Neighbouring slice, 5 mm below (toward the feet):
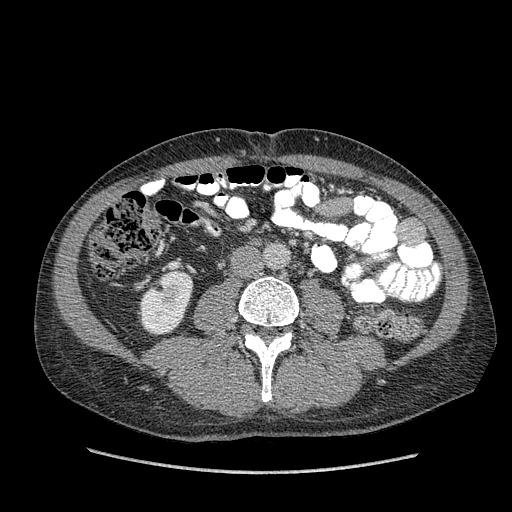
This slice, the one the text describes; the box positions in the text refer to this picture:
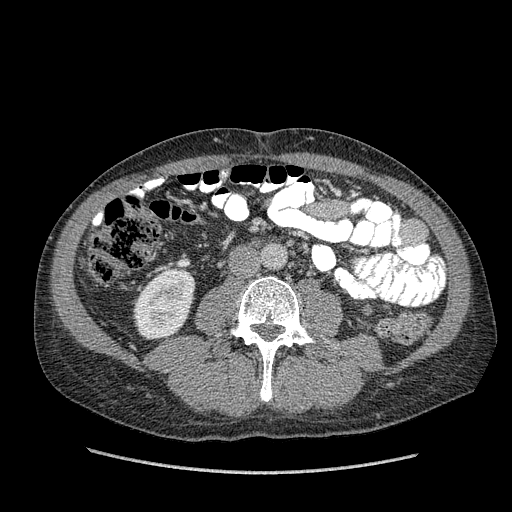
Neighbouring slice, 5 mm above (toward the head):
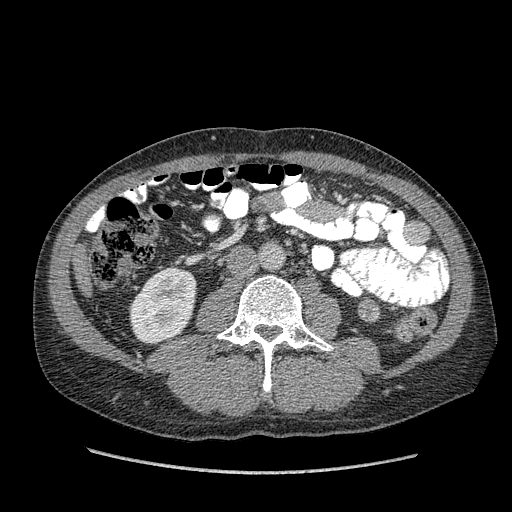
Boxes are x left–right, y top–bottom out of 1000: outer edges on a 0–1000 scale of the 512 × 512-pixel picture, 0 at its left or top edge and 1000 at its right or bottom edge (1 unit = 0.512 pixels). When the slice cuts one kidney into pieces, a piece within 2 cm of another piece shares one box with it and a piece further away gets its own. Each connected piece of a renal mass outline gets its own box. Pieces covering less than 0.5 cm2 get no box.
Arterial-phase contrast-enhanced abdominal CT, axial slice 168 of 349 (counted from the lowest slice); 1.25 mm thick, 0.742 mm per pixel. Boxed on this slice (one kidney box and one renal mass box), listed by box centre from the image's left to its right: (1) Right kidney, box x 260–383, y 525–664 out of 1000 (outlined area 3,378 px, about 18.6 cm2). (2) Box x 707–729, y 594–615 out of 1000: left renal mass (outlined area 91 px, about 0.5 cm2); on this slice it lies more than 1 cm from any kidney outline, but the same outlined renal mass comes within 1 cm of the kidney on another slice. This slice lies near the end of the left renal mass toward the feet; the slices 5 mm below and 5 mm above it are shown too, and the boxes mark positions on this slice only.
Acquired at 120 kVp and reconstructed with the STANDARD kernel.